Abdominal CT with intravenous contrast, arterial phase, axial plane, 140 kVp, kernel I30f. Slice 324/591 from the bottom of the scan; thickness 1.00 mm; pixel size 0.703 mm.
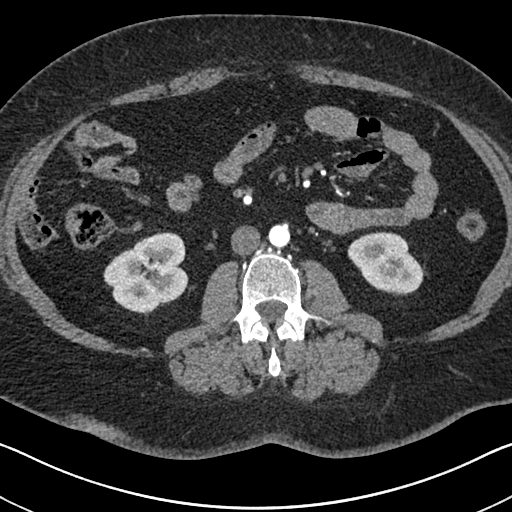
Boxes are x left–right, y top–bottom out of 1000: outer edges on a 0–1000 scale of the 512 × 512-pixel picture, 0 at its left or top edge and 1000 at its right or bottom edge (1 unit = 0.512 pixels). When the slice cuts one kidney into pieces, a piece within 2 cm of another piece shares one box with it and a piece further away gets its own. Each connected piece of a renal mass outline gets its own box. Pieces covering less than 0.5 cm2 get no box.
Two kidney boxes on this slice; by box centre, from the image's left to its right: (1) Box x 201–369, y 453–617 out of 1000: right kidney (outlined area 5,011 px, about 24.8 cm2). (2) Box x 678–834, y 451–578 out of 1000: left kidney (outlined area 3,435 px, about 17.0 cm2). This slice carries no renal mass outline.